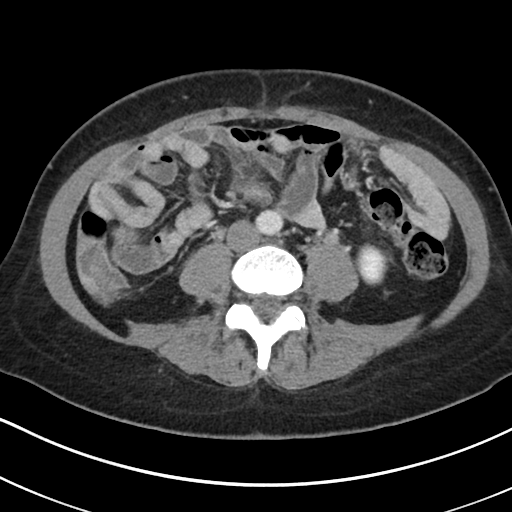
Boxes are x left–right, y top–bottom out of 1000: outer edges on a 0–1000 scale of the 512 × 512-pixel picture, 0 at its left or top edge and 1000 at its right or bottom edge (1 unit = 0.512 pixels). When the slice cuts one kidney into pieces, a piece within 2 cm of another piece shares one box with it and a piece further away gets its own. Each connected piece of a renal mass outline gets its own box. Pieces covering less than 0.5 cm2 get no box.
This is axial slice 88 of 178 (slice 1 is the lowest) of an abdominal CT with contrast; each pixel is 0.650 mm and the slice is 5.00 mm thick. Left kidney, box x 691–762, y 475–559 out of 1000 (outlined area 1,089 px, about 4.6 cm2). No renal mass is outlined on this slice.
Scan settings: 100 kVp, I30f reconstruction kernel.